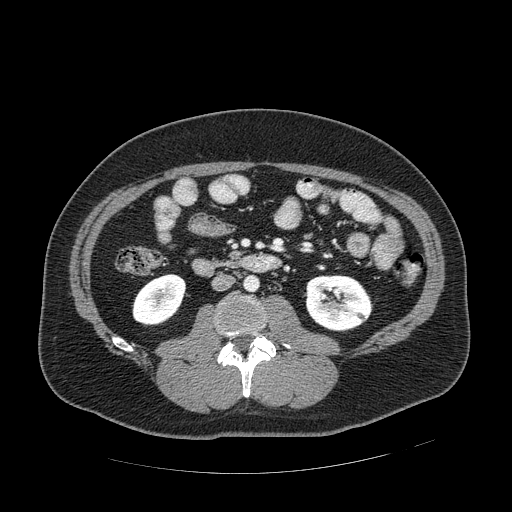
One axial slice (235 of 389, counting up from the lowest) of an arterial-phase abdominal CT acquired with 120 kVp, kernel STANDARD; each pixel is 0.869 mm and the slice is 1.25 mm thick.
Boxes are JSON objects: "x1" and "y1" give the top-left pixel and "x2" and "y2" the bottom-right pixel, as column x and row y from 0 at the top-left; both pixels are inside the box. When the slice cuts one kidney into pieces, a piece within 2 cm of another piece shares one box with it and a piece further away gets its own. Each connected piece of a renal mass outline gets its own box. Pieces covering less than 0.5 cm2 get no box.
Two boxes on this slice (two kidney boxes), listed by box centre from the image's left to its right. (1) Right kidney, box {"x1": 132, "y1": 273, "x2": 186, "y2": 326} (outlined area 2,087 px, about 15.8 cm2). (2) Left kidney at {"x1": 304, "y1": 274, "x2": 372, "y2": 331} (outlined area 3,105 px, about 23.5 cm2). No renal mass is outlined on this slice.